One axial slice (75 of 129, counting up from the lowest) of an arterial-phase abdominal CT acquired with 100 kVp, kernel I41f; each pixel is 0.779 mm and the slice is 3.00 mm thick.
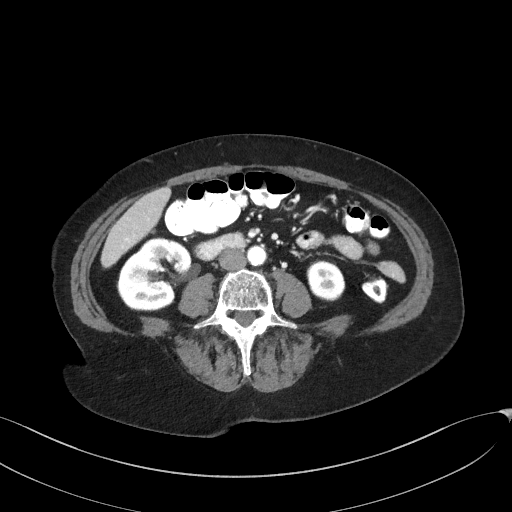
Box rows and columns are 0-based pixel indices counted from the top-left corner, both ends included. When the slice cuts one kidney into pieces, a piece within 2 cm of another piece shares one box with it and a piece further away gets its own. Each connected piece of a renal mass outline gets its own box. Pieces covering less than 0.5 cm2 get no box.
Boxed on this slice (two kidney boxes), listed by box centre from the image's left to its right: (1) Right kidney at rows 237–311, columns 116–190 (outlined area 3,971 px, about 24.1 cm2). (2) Left kidney at rows 260–301, columns 306–345 (outlined area 1,270 px, about 7.7 cm2). This slice carries no renal mass outline.